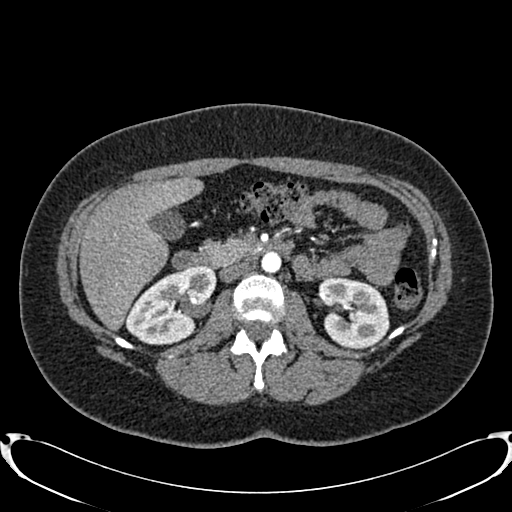
Abdominal CT with intravenous contrast, arterial phase, axial plane, 120 kVp, kernel B20f. Slice 460/719 from the bottom of the scan; thickness 1.00 mm; pixel size 0.766 mm.
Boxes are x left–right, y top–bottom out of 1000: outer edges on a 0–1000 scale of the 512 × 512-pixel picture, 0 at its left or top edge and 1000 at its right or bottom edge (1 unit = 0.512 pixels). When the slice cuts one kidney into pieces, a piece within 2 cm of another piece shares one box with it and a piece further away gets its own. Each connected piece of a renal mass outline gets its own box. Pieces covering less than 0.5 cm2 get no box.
Two boxes on this slice (two kidney boxes), listed by box centre from the image's left to its right. (1) Right kidney, box x 244–422, y 520–676 out of 1000 (outlined area 4,841 px, about 28.4 cm2). (2) Box x 619–762, y 541–682 out of 1000: left kidney (outlined area 3,971 px, about 23.3 cm2). No renal mass is outlined on this slice.